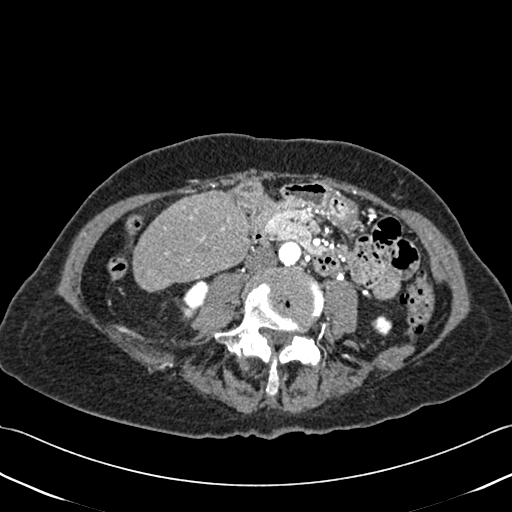
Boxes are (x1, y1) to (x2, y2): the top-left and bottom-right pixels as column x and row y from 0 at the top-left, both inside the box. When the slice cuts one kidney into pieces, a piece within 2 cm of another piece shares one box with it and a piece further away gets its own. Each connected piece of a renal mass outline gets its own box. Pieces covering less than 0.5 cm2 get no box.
This is axial slice 163 of 433 (slice 1 is the lowest) of an abdominal CT with contrast; each pixel is 0.672 mm and the slice is 1.00 mm thick. Two kidney boxes on this slice; by box centre, from the image's left to its right: (1) Right kidney, box (181, 280) to (208, 314) (outlined area 626 px, about 2.8 cm2). (2) Box (371, 314) to (392, 336): left kidney (outlined area 312 px, about 1.4 cm2). This slice carries no renal mass outline.
Tube voltage 120 kVp; convolution kernel B30f.